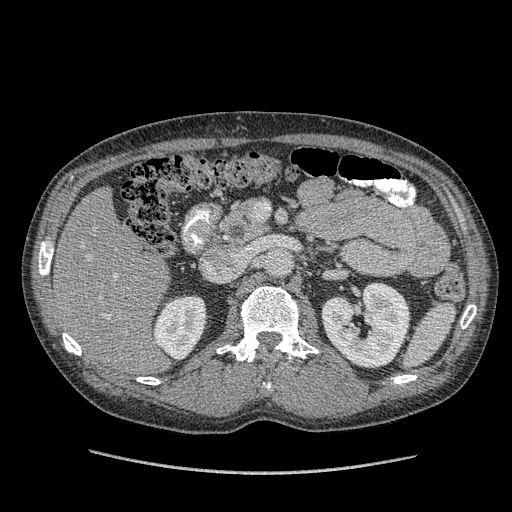
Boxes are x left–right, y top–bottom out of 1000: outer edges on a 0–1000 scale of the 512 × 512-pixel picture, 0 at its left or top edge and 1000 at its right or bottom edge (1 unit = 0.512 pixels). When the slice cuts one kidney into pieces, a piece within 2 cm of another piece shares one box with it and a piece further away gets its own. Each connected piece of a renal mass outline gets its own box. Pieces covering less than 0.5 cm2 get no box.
Arterial-phase contrast-enhanced abdominal CT, axial slice 230 of 349 (counted from the lowest slice); 1.25 mm thick, 0.742 mm per pixel. Two boxes on this slice (two kidney boxes), listed by box centre from the image's left to its right. (1) Box x 297–406, y 576–703 out of 1000: right kidney (outlined area 2,698 px, about 14.9 cm2). (2) Left kidney at x 627–803, y 551–721 out of 1000 (outlined area 5,625 px, about 31.0 cm2). No renal mass is outlined on this slice.
Scan settings: 120 kVp, STANDARD reconstruction kernel.